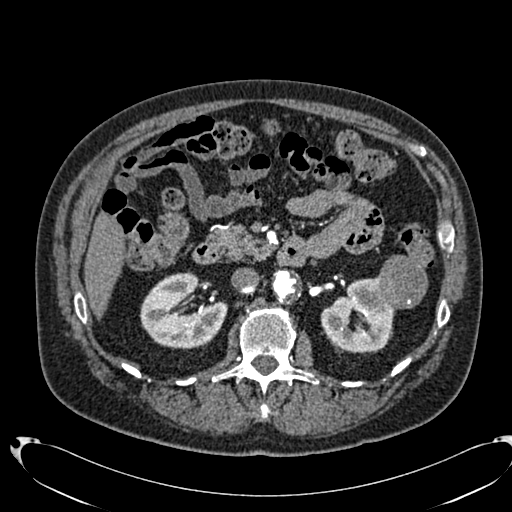
Axial slice 429 of 553 of a contrast-enhanced abdominal CT in the arterial phase (slice 1 is the lowest), 120 kVp, kernel B20f; 1.00 mm slice thickness and 0.773 mm pixels.
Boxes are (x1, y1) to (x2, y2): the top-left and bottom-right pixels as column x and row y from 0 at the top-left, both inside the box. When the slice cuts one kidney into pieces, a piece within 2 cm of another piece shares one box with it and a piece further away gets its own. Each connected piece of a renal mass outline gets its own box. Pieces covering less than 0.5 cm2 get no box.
Boxed on this slice (two kidney boxes and one renal mass box), listed by box centre from the image's left to its right: (1) Box (140, 271) to (227, 349): right kidney (outlined area 4,756 px, about 28.5 cm2). (2) Box (320, 276) to (396, 352): left kidney (outlined area 3,784 px, about 22.6 cm2). (3) Box (376, 255) to (427, 308): left renal mass (outlined area 2,247 px, about 13.4 cm2).